One axial slice (186 of 470, counting up from the lowest) of an arterial-phase abdominal CT acquired with 120 kVp, kernel I26f; each pixel is 0.938 mm and the slice is 1.00 mm thick.
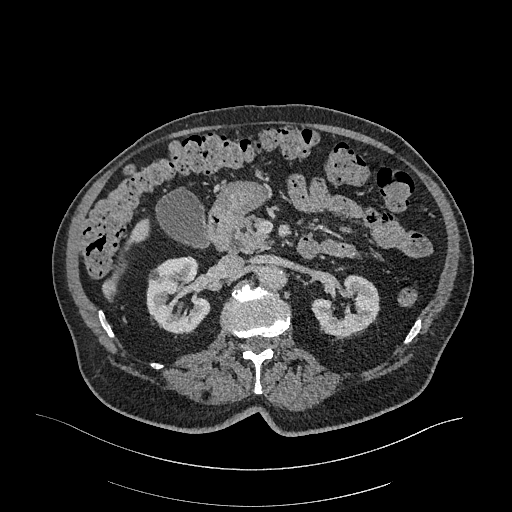
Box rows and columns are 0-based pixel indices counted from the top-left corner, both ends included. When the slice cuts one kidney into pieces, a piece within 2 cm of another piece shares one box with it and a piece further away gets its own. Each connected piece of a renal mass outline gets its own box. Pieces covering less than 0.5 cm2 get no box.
Two kidney boxes on this slice; by box centre, from the image's left to its right: (1) Right kidney, box rows 256–334, columns 146–211 (outlined area 3,720 px, about 32.7 cm2). (2) Box rows 275–337, columns 311–379: left kidney (outlined area 2,745 px, about 24.1 cm2). This slice carries no renal mass outline.